Abdominal CT with intravenous contrast, arterial phase, axial plane, 120 kVp, kernel I26f. Slice 637/987 from the bottom of the scan; thickness 1.00 mm; pixel size 0.977 mm.
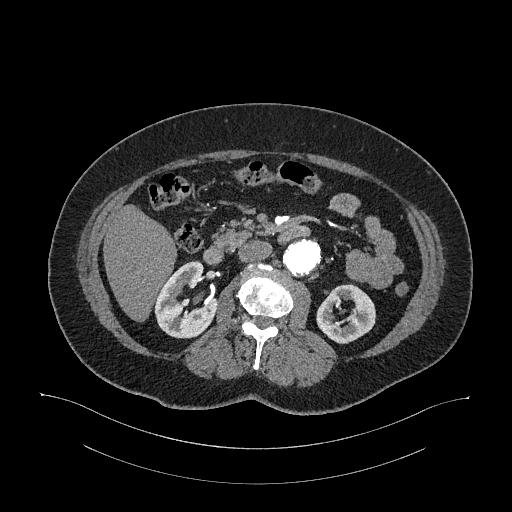
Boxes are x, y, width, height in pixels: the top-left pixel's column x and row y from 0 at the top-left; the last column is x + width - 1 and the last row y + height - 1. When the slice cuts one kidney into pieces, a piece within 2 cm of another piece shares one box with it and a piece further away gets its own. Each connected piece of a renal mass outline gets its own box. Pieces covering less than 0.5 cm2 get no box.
Two kidney boxes on this slice; by box centre, from the image's left to its right: (1) Right kidney at x 154, y 261, width 64, height 78 (outlined area 3,283 px, about 31.3 cm2). (2) Left kidney, box x 316, y 284, width 61, height 60 (outlined area 2,459 px, about 23.5 cm2). No renal mass outline on this slice.